One axial slice (283 of 538, counting up from the lowest) of an arterial-phase abdominal CT acquired with 120 kVp, kernel B30f; each pixel is 0.811 mm and the slice is 1.00 mm thick.
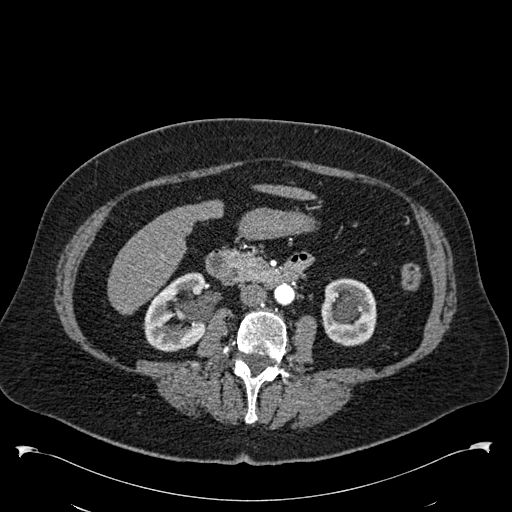
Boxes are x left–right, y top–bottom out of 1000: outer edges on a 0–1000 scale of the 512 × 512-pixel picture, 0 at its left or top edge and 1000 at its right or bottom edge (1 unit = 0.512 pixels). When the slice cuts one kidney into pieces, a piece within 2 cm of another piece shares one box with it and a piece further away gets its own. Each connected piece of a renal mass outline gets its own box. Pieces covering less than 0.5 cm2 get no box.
Two kidney boxes on this slice; by box centre, from the image's left to its right: (1) Right kidney, box x 279–404, y 531–688 out of 1000 (outlined area 3,686 px, about 24.2 cm2). (2) Left kidney, box x 625–736, y 543–678 out of 1000 (outlined area 3,162 px, about 20.8 cm2). This slice carries no renal mass outline.